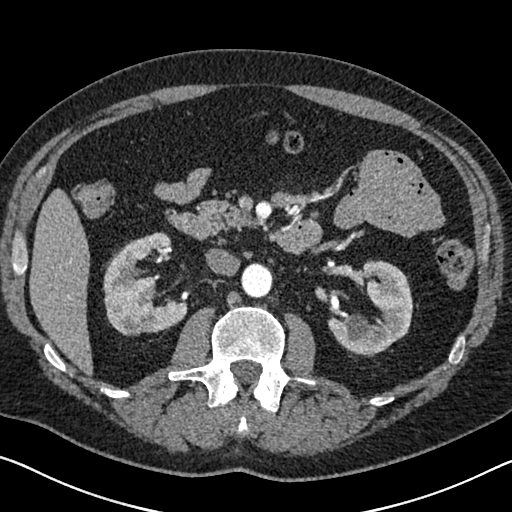
Abdominal CT with intravenous contrast, arterial phase, axial plane, 120 kVp, kernel I30f. Slice 393/626 from the bottom of the scan; thickness 1.00 mm; pixel size 0.703 mm.
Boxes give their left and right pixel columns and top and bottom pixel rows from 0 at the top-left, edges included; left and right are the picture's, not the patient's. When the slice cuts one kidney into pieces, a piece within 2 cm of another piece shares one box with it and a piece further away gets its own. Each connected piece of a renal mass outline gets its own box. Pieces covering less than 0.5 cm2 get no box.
Two kidney boxes on this slice; by box centre, from the image's left to its right: (1) Box with left 102, top 232, right 188, bottom 335: right kidney (outlined area 5,653 px, about 27.9 cm2). (2) Left kidney in the box with left 327, top 260, right 413, bottom 355 (outlined area 4,981 px, about 24.6 cm2). No renal mass is outlined on this slice.